Axial slice 109 of 178 of a contrast-enhanced abdominal CT (slice 1 is the lowest), 100 kVp, kernel I30f; 5.00 mm slice thickness and 0.650 mm pixels.
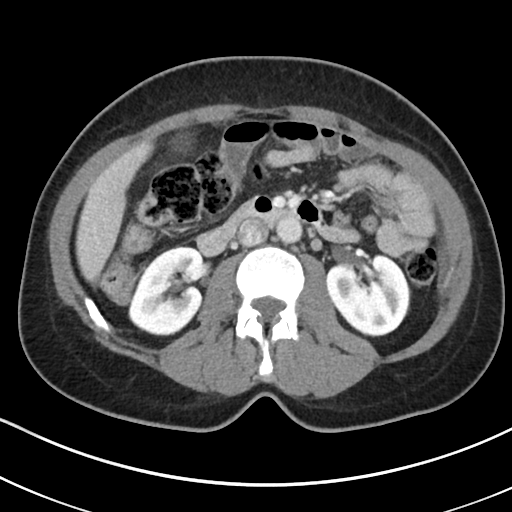
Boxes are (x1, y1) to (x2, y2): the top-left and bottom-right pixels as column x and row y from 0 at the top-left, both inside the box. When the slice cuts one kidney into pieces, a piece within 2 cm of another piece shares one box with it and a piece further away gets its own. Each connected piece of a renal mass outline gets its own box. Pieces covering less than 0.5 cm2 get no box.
Boxed on this slice (two kidney boxes), listed by box centre from the image's left to its right: (1) Box (128, 246) to (204, 335): right kidney (outlined area 5,140 px, about 21.7 cm2). (2) Box (325, 253) to (411, 336): left kidney (outlined area 5,374 px, about 22.7 cm2). This slice carries no renal mass outline.